Abdominal CT with intravenous contrast, arterial phase, axial plane, 120 kVp, kernel B20f. Slice 545/634 from the bottom of the scan; thickness 1.00 mm; pixel size 0.838 mm.
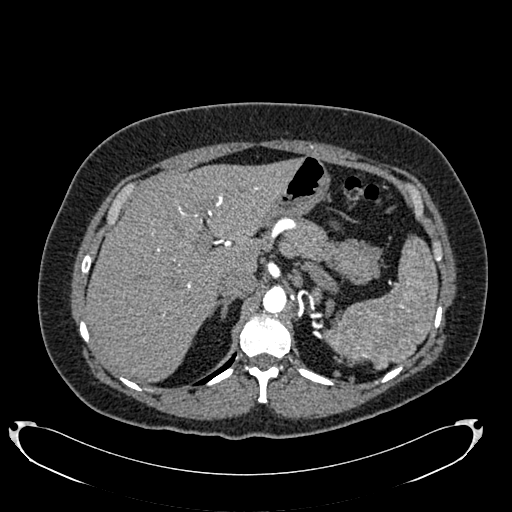
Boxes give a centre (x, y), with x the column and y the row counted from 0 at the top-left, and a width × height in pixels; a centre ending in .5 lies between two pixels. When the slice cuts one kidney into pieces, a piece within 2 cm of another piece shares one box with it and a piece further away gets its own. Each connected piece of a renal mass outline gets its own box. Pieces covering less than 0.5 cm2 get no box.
Left kidney, box centre (316, 294.5), 13 × 20 pixels (outlined area 178 px, about 1.2 cm2). No renal mass outline on this slice.